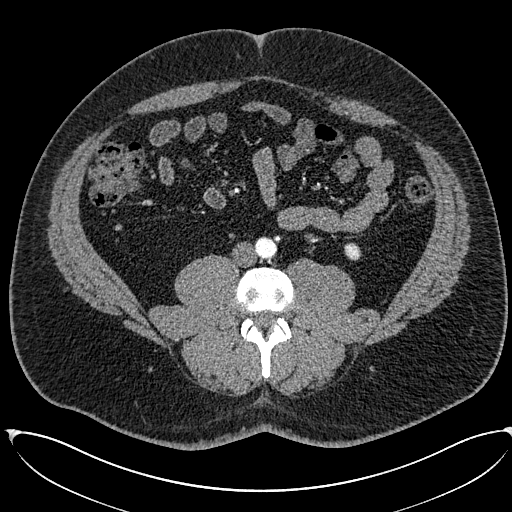
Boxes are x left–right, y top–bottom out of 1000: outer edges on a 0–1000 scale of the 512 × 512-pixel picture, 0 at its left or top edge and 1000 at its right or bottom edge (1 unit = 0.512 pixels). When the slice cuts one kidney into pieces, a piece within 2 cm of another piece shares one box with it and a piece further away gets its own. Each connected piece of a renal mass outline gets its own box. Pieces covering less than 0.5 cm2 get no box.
Arterial-phase contrast-enhanced abdominal CT, axial slice 218 of 673 (counted from the lowest slice); 1.00 mm thick, 0.855 mm per pixel. Left kidney, box x 672–707, y 473–510 out of 1000 (outlined area 254 px, about 1.9 cm2). No renal mass outline on this slice.
Acquired at 120 kVp and reconstructed with the I30f kernel.